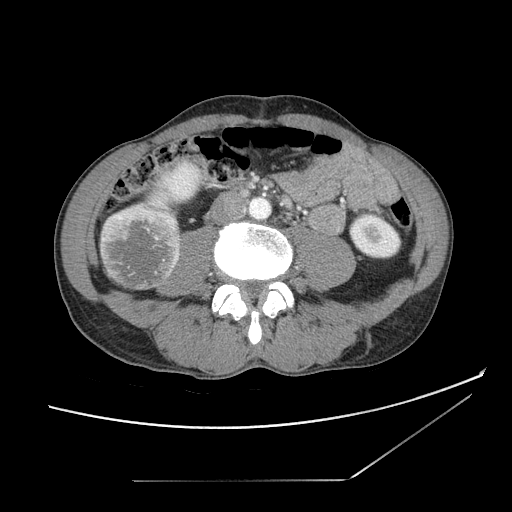
Axial slice 38 of 121 of a contrast-enhanced abdominal CT (slice 1 is the lowest), 120 kVp, kernel STANDARD; 2.50 mm slice thickness and 0.742 mm pixels.
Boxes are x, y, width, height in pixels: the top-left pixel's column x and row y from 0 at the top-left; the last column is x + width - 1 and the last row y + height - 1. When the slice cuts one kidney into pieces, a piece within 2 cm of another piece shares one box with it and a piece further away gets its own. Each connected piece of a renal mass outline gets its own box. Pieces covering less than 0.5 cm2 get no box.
Three boxes on this slice (two kidney boxes and one renal mass box), listed by box centre from the image's left to its right. (1) Right renal mass, box x 98, y 201, width 83, height 90 (outlined area 5,964 px, about 32.9 cm2). (2) Right kidney, box x 139, y 157, width 62, height 57 (outlined area 2,239 px, about 12.3 cm2). (3) Box x 348, y 211, width 55, height 49: left kidney (outlined area 1,879 px, about 10.4 cm2).